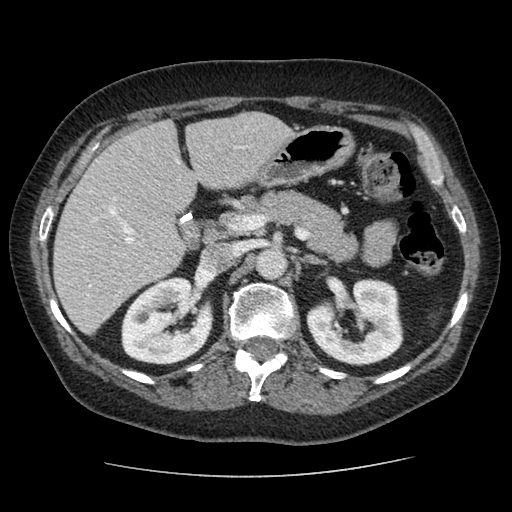
Arterial-phase contrast-enhanced abdominal CT, axial slice 60 of 96 (counted from the lowest slice); tube voltage 120 kVp, convolution kernel STANDARD; slices 2.50 mm thick, 0.689 mm per pixel.
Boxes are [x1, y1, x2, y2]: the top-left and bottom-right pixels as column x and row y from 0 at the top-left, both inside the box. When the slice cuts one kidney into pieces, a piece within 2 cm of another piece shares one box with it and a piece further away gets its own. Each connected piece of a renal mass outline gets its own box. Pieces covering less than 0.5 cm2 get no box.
Boxed on this slice (two kidney boxes), listed by box centre from the image's left to its right: (1) Right kidney at [121, 277, 213, 364] (outlined area 6,234 px, about 29.6 cm2). (2) Left kidney at [306, 278, 403, 364] (outlined area 6,044 px, about 28.7 cm2). No renal mass is outlined on this slice.